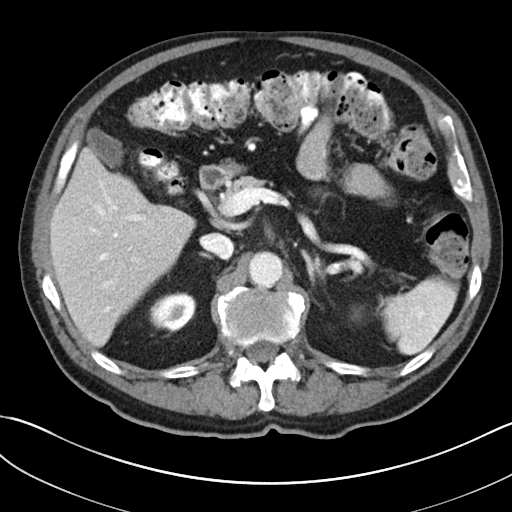
Axial slice 144 of 269 of a contrast-enhanced abdominal CT (slice 1 is the lowest), 100 kVp, kernel I30f; 5.00 mm slice thickness and 0.732 mm pixels.
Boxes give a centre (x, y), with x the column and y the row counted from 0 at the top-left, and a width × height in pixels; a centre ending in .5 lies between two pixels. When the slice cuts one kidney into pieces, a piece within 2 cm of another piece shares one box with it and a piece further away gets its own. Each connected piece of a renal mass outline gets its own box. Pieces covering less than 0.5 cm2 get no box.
Boxed on this slice (two kidney boxes), listed by box centre from the image's left to its right: (1) Box centre (173.5, 311.5), 46 × 40 pixels: right kidney (outlined area 1,372 px, about 7.4 cm2). (2) Box centre (357, 313), 13 × 15 pixels: left kidney (outlined area 126 px, about 0.7 cm2). This slice carries no renal mass outline.